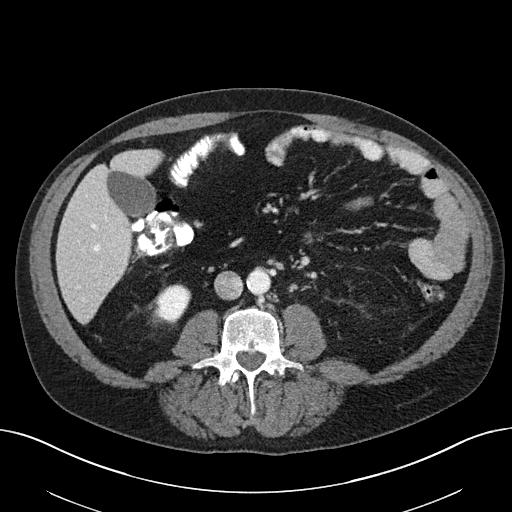
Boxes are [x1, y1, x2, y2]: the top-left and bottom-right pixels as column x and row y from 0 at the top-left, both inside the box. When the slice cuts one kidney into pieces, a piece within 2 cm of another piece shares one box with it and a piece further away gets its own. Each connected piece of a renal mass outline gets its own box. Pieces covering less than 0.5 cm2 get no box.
This is axial slice 94 of 163 (slice 1 is the lowest) of an abdominal CT with contrast; each pixel is 0.799 mm and the slice is 3.00 mm thick. Box [153, 284, 190, 323]: right kidney (outlined area 1,088 px, about 6.9 cm2). No renal mass outline on this slice.
Scan settings: 100 kVp, I40f reconstruction kernel.